Contrast-enhanced abdominal CT, axial slice 53 of 95 (counted from the lowest slice); tube voltage 120 kVp, convolution kernel STANDARD; slices 5.00 mm thick, 0.781 mm per pixel.
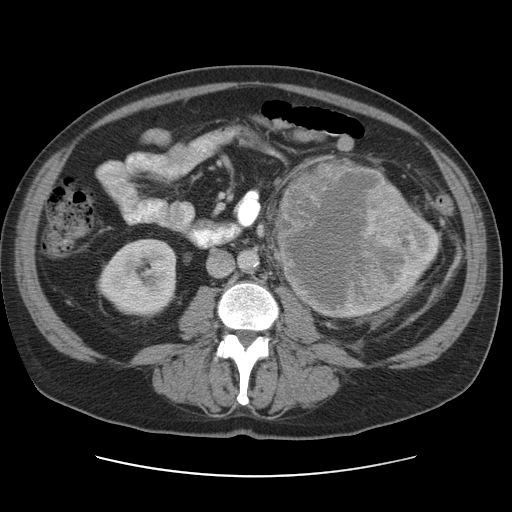
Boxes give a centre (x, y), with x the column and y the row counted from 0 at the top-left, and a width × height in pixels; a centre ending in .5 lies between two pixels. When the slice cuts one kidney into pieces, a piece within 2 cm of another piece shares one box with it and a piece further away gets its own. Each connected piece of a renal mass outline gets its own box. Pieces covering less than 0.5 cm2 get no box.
Two kidney boxes and one renal mass box on this slice; by box centre, from the image's left to its right: (1) Right kidney in a box with centre (136, 277.5), 81 × 80 pixels (outlined area 4,907 px, about 29.9 cm2). (2) Left renal mass, box centre (336, 239.5), 121 × 158 pixels (outlined area 15,840 px, about 96.7 cm2). (3) Left kidney, box centre (401.5, 248.5), 74 × 136 pixels (outlined area 3,340 px, about 20.4 cm2).